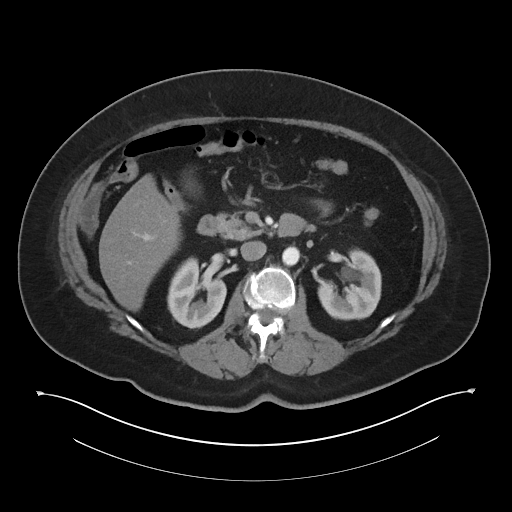
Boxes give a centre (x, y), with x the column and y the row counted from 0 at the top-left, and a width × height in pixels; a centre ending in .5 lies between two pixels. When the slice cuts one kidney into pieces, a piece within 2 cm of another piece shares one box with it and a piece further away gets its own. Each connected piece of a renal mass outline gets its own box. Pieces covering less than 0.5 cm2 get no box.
Contrast-enhanced abdominal CT, axial slice 25 of 60 (counted from the lowest slice); 5.00 mm thick, 0.971 mm per pixel. Boxed on this slice (two kidney boxes), listed by box centre from the image's left to its right: (1) Right kidney, box centre (196.5, 292.5), 60 × 72 pixels (outlined area 3,051 px, about 28.7 cm2). (2) Box centre (349, 284), 65 × 73 pixels: left kidney (outlined area 3,170 px, about 29.9 cm2). This slice carries no renal mass outline.
Scan settings: 120 kVp, I30f reconstruction kernel.